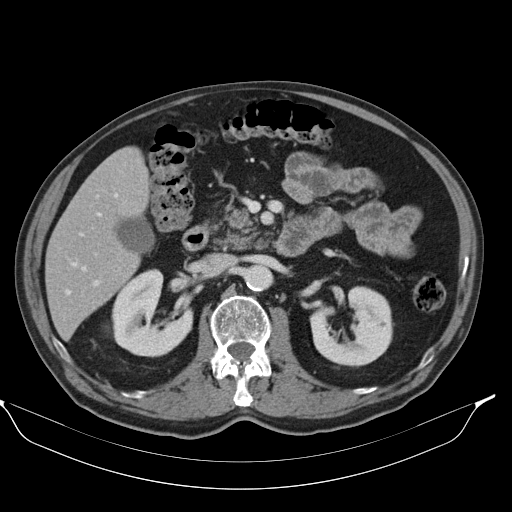
One axial slice (60 of 98, counting up from the lowest) of a contrast-enhanced abdominal CT acquired with 130 kVp, kernel B30s; each pixel is 0.840 mm and the slice is 5.00 mm thick.
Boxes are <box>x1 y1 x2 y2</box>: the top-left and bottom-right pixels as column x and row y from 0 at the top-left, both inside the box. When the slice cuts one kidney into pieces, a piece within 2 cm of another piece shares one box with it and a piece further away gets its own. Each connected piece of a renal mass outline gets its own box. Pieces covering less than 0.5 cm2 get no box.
Two kidney boxes on this slice; by box centre, from the image's left to its right: (1) Right kidney: <box>111 269 193 355</box> (outlined area 4,771 px, about 33.7 cm2). (2) Left kidney at <box>310 286 392 366</box> (outlined area 4,625 px, about 32.6 cm2). This slice carries no renal mass outline.